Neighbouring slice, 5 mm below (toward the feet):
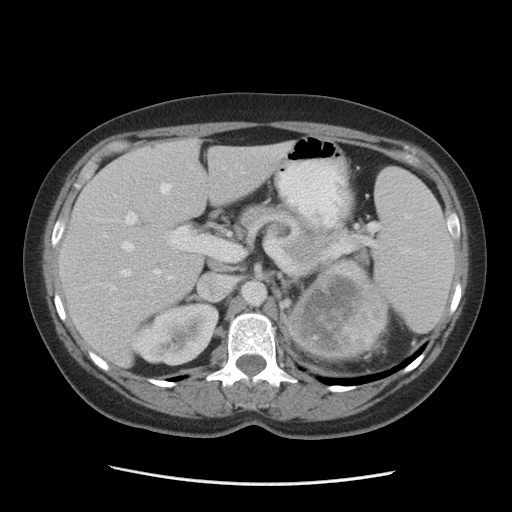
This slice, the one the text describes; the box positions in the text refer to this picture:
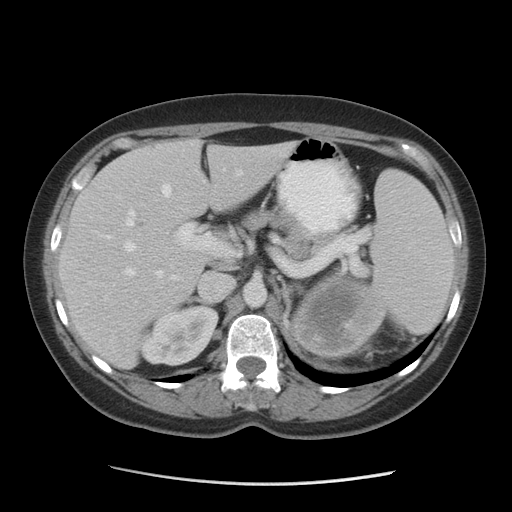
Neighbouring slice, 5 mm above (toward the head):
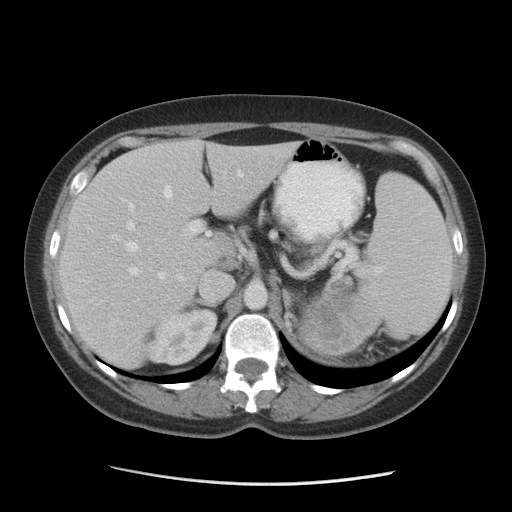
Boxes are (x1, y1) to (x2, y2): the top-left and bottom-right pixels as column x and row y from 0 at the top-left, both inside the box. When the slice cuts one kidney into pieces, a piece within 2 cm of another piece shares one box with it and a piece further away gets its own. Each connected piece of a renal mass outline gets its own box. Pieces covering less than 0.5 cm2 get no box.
Slice 63/84 of a contrast-enhanced abdominal CT, counting up from the lowest; pixel size 0.717 mm, slice thickness 5.00 mm. Three boxes on this slice (two kidney boxes and one renal mass box), listed by box centre from the image's left to its right. (1) Right kidney, box (141, 305) to (218, 366) (outlined area 3,433 px, about 17.6 cm2). (2) Left kidney, box (288, 270) to (386, 356) (outlined area 5,840 px, about 30.0 cm2). (3) Left renal mass, box (343, 318) to (365, 337) (outlined area 343 px, about 1.8 cm2). This slice is near the end of the left renal mass toward the head, so the slices 5 mm below and 5 mm above it are shown as well; the boxes refer to this slice only.
Tube voltage 140 kVp; convolution kernel STANDARD.